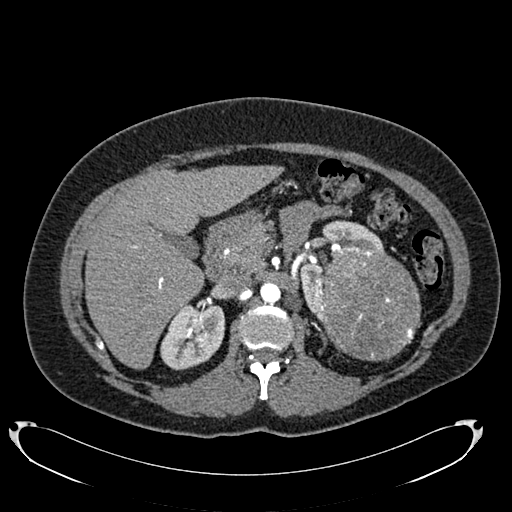
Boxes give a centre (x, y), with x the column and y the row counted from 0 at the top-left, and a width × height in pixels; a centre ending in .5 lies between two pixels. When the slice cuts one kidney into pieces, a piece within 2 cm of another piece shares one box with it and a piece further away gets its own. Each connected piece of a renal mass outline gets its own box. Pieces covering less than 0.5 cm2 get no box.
Arterial-phase contrast-enhanced abdominal CT, axial slice 472 of 634 (counted from the lowest slice); 1.00 mm thick, 0.838 mm per pixel. Boxed on this slice (two kidney boxes and one renal mass box), listed by box centre from the image's left to its right: (1) Box centre (192.5, 336.5), 66 × 68 pixels: right kidney (outlined area 3,305 px, about 23.2 cm2). (2) Left kidney in a box with centre (342, 270.5), 85 × 102 pixels (outlined area 2,688 px, about 18.9 cm2). (3) Left renal mass, box centre (370.5, 303), 102 × 117 pixels (outlined area 9,297 px, about 65.3 cm2).
Scan settings: 120 kVp, B20f reconstruction kernel.